One axial slice (291 of 683, counting up from the lowest) of an arterial-phase abdominal CT acquired with 120 kVp, kernel I30f; each pixel is 0.738 mm and the slice is 1.00 mm thick.
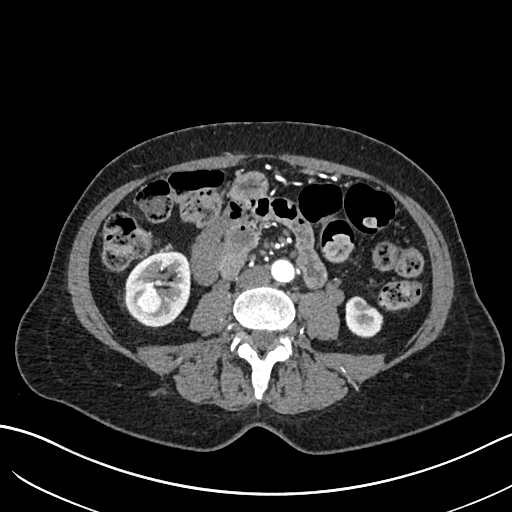
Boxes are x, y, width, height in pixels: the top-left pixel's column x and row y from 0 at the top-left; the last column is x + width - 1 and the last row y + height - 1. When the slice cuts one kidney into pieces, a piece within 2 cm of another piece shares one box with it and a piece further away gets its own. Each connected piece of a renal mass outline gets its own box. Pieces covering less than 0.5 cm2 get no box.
Three boxes on this slice (two kidney boxes and one renal mass box), listed by box centre from the image's left to its right. (1) Right renal mass at x 136, y 286, width 27, height 28 (outlined area 580 px, about 3.2 cm2). (2) Right kidney at x 124, y 251, width 67, height 76 (outlined area 3,483 px, about 19.0 cm2). (3) Box x 345, y 296, width 39, height 42: left kidney (outlined area 1,200 px, about 6.5 cm2).